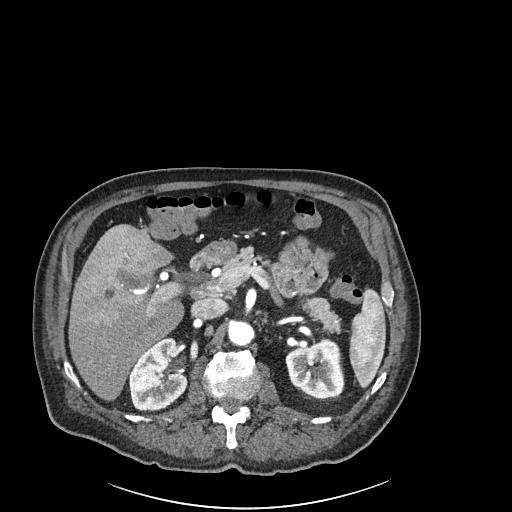
Arterial-phase contrast-enhanced abdominal CT, axial slice 138 of 261 (counted from the lowest slice); tube voltage 120 kVp, convolution kernel I30f; slices 2.00 mm thick, 0.939 mm per pixel.
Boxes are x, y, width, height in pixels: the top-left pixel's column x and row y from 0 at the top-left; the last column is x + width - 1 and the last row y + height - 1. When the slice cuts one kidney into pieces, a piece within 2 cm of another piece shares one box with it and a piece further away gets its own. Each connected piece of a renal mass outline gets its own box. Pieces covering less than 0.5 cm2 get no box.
Two kidney boxes on this slice; by box centre, from the image's left to its right: (1) Right kidney, box x 128, y 337, width 61, height 74 (outlined area 3,198 px, about 28.2 cm2). (2) Left kidney at x 285, y 339, width 59, height 60 (outlined area 2,647 px, about 23.4 cm2). No renal mass is outlined on this slice.